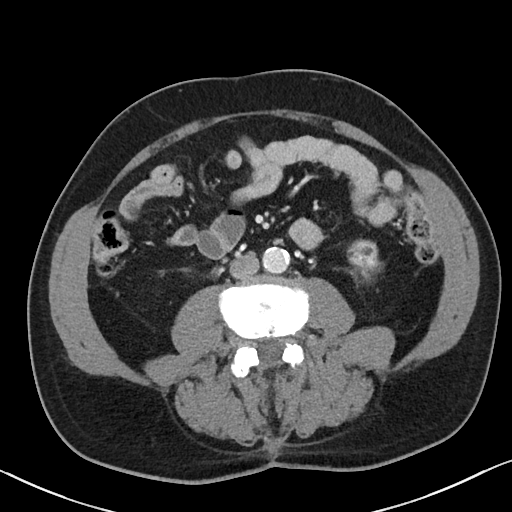
Axial slice 48 of 90 of a contrast-enhanced abdominal CT (slice 1 is the lowest), 100 kVp, kernel I40f; 5.00 mm slice thickness and 0.684 mm pixels.
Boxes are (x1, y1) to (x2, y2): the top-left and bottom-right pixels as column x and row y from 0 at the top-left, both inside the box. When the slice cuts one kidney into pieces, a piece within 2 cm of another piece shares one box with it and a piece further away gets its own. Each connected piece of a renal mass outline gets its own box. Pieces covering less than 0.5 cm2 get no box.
Box (346, 239) to (383, 286): left kidney (outlined area 1,196 px, about 5.6 cm2). No renal mass outline on this slice.